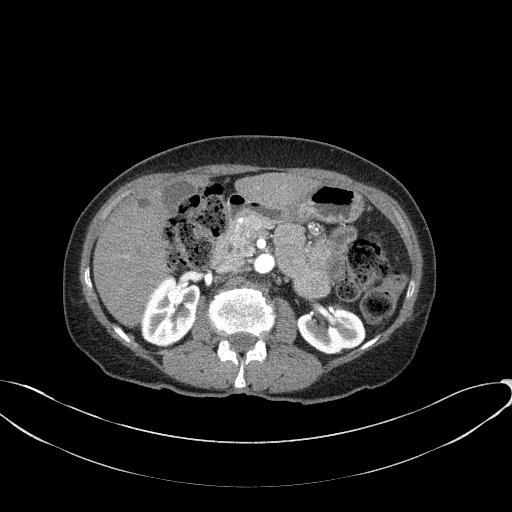
One axial slice (35 of 77, counting up from the lowest) of an arterial-phase abdominal CT acquired with 100 kVp, kernel B41f; each pixel is 0.809 mm and the slice is 3.00 mm thick.
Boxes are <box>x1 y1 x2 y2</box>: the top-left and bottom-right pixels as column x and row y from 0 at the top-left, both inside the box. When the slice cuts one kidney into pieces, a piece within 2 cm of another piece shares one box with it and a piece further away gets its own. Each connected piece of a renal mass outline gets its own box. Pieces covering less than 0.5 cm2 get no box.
Boxed on this slice (two kidney boxes), listed by box centre from the image's left to its right: (1) At <box>140 274 201 347</box>: right kidney (outlined area 3,163 px, about 20.7 cm2). (2) Left kidney: <box>297 307 365 354</box> (outlined area 2,466 px, about 16.1 cm2). This slice carries no renal mass outline.